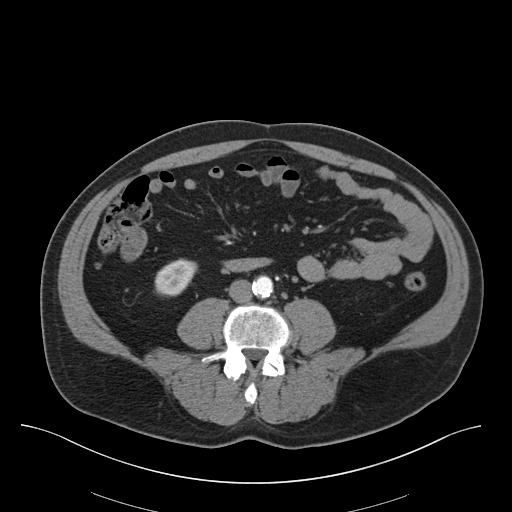
Contrast-enhanced abdominal CT, axial slice 9 of 75 (counted from the lowest slice); tube voltage 140 kVp, convolution kernel B30f; slices 3.00 mm thick, 0.875 mm per pixel.
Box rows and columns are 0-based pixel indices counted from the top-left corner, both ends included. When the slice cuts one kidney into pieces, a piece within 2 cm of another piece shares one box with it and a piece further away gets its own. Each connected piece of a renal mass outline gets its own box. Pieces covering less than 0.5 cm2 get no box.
Right kidney at rows 258–296, columns 154–197 (outlined area 1,199 px, about 9.2 cm2). No renal mass outline on this slice.